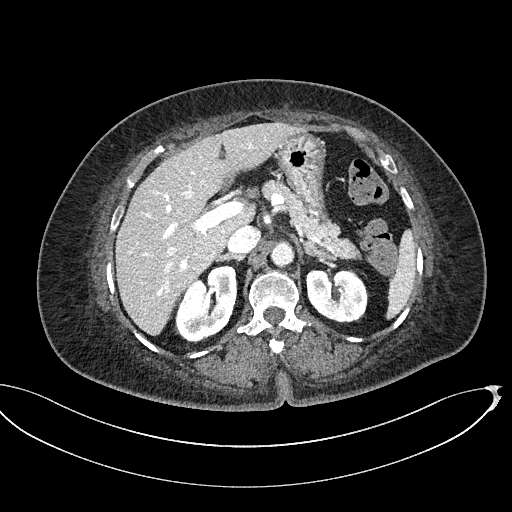
Contrast-enhanced abdominal CT, axial slice 336 of 439 (counted from the lowest slice); tube voltage 100 kVp, convolution kernel I40f; slices 2.00 mm thick, 0.850 mm per pixel.
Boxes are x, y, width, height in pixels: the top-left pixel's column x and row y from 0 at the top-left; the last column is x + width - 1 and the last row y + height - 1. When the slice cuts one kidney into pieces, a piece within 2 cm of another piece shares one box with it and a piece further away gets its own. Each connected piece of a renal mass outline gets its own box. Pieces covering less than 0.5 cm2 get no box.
Two boxes on this slice (two kidney boxes), listed by box centre from the image's left to its right. (1) Box x 174, y 265, width 64, height 79: right kidney (outlined area 3,449 px, about 24.9 cm2). (2) Left kidney at x 306, y 268, width 63, height 55 (outlined area 2,773 px, about 20.0 cm2). This slice carries no renal mass outline.